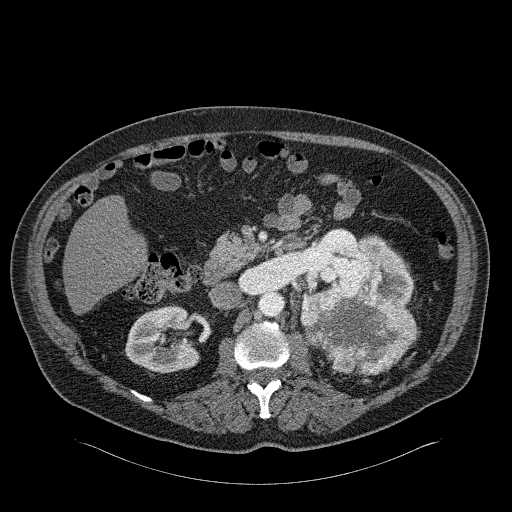
Arterial-phase contrast-enhanced abdominal CT, axial slice 131 of 326 (counted from the lowest slice); tube voltage 120 kVp, convolution kernel B31f; slices 2.00 mm thick, 0.963 mm per pixel.
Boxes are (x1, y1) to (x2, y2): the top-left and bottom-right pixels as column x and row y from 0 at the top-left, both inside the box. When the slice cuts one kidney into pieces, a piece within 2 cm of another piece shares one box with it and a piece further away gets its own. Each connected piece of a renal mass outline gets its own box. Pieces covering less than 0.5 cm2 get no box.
Three boxes on this slice (two kidney boxes and one renal mass box), listed by box centre from the image's left to its right. (1) Box (125, 305) to (199, 373): right kidney (outlined area 3,752 px, about 34.8 cm2). (2) Left kidney from (304, 235) to (413, 304) (outlined area 3,040 px, about 28.2 cm2). (3) Left renal mass from (300, 264) to (417, 374) (outlined area 8,584 px, about 79.6 cm2).